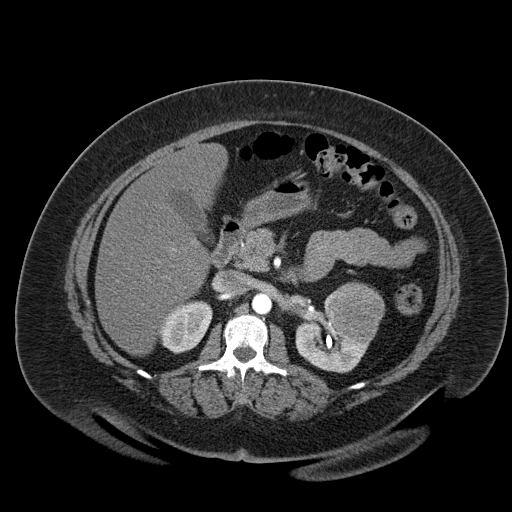
One axial slice (37 of 55, counting up from the lowest) of a contrast-enhanced abdominal CT acquired with 120 kVp, kernel B30f; each pixel is 0.908 mm and the slice is 5.00 mm thick.
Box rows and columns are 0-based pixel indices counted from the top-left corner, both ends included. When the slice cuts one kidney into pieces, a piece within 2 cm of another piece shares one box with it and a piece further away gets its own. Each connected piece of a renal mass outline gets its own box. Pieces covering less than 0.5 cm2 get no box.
Three boxes on this slice (two kidney boxes and one renal mass box), listed by box centre from the image's left to its right. (1) Right kidney, box rows 300–353, columns 160–212 (outlined area 2,072 px, about 17.1 cm2). (2) Box rows 312–373, columns 295–373: left kidney (outlined area 2,647 px, about 21.8 cm2). (3) Left renal mass at rows 281–343, columns 324–385 (outlined area 2,751 px, about 22.7 cm2).